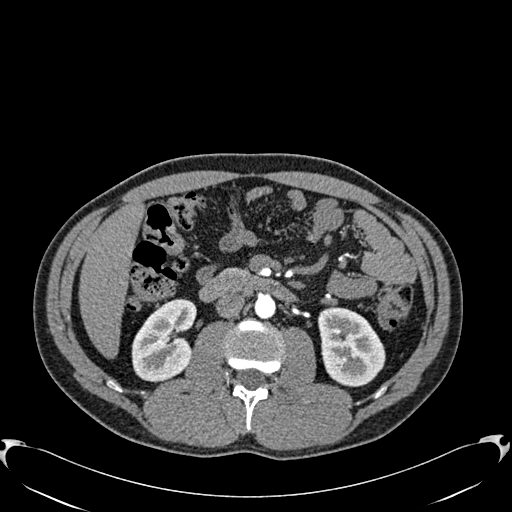
Abdominal CT with intravenous contrast, arterial phase, axial plane, 120 kVp, kernel B30f. Slice 327/512 from the bottom of the scan; thickness 1.00 mm; pixel size 0.771 mm.
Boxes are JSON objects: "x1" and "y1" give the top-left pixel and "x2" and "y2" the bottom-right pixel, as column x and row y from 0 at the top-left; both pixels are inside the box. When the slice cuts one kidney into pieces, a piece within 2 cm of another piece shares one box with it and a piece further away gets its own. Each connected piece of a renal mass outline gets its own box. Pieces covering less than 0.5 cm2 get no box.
Boxed on this slice (two kidney boxes), listed by box centre from the image's left to its right: (1) Box {"x1": 131, "y1": 298, "x2": 196, "y2": 381}: right kidney (outlined area 3,925 px, about 23.4 cm2). (2) Box {"x1": 317, "y1": 306, "x2": 385, "y2": 386}: left kidney (outlined area 4,126 px, about 24.6 cm2). This slice carries no renal mass outline.